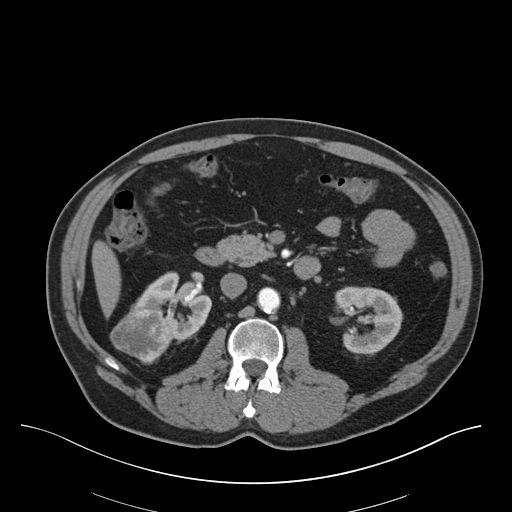
Abdominal CT with intravenous contrast, axial plane, 140 kVp, kernel B30f. Slice 31/75 from the bottom of the scan; thickness 3.00 mm; pixel size 0.875 mm.
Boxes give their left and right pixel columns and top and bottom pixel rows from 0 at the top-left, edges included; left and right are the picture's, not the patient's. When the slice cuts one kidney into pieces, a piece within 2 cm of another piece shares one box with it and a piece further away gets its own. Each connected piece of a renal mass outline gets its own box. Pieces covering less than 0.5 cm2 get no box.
Two kidney boxes and one renal mass box on this slice; by box centre, from the image's left to its right: (1) Right renal mass in the box with left 110, top 309, right 173, bottom 364 (outlined area 2,471 px, about 18.9 cm2). (2) Box with left 129, top 271, right 211, bottom 341: right kidney (outlined area 2,935 px, about 22.5 cm2). (3) Left kidney in the box with left 335, top 286, right 402, bottom 354 (outlined area 3,410 px, about 26.1 cm2).